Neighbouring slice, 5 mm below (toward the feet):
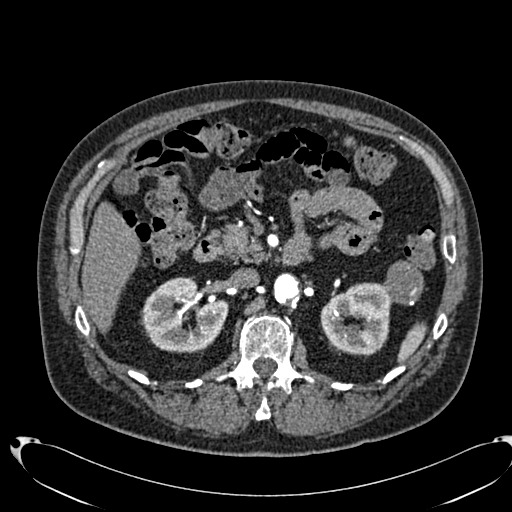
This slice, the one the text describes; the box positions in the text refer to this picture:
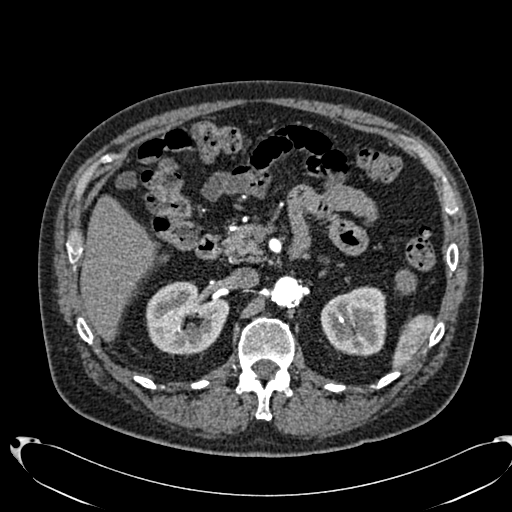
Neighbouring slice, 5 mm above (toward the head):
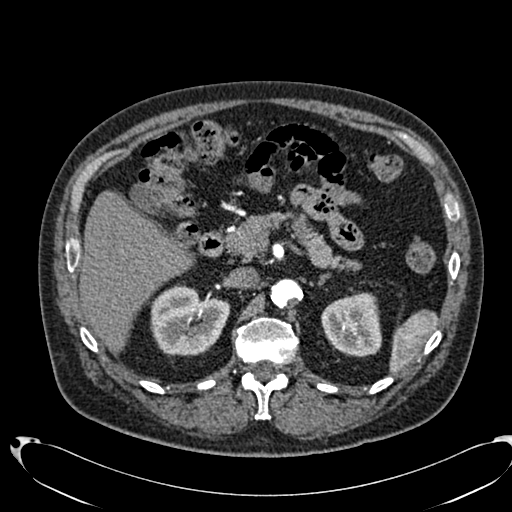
One axial slice (453 of 553, counting up from the lowest) of an arterial-phase abdominal CT acquired with 120 kVp, kernel B20f; each pixel is 0.773 mm and the slice is 1.00 mm thick.
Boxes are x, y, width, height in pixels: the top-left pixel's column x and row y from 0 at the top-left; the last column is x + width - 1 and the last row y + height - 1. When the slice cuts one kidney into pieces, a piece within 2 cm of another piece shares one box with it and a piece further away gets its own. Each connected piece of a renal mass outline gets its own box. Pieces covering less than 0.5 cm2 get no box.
Two kidney boxes and one renal mass box on this slice; by box centre, from the image's left to its right: (1) Box x 145, y 281, width 85, height 76: right kidney (outlined area 4,696 px, about 28.1 cm2). (2) Left kidney at x 320, y 286, width 67, height 71 (outlined area 3,718 px, about 22.2 cm2). (3) Box x 395, y 269, width 22, height 25: left renal mass (outlined area 430 px, about 2.6 cm2). This slice is near the end of the left renal mass toward the head, so the slices 5 mm below and 5 mm above it are shown as well; the boxes refer to this slice only.